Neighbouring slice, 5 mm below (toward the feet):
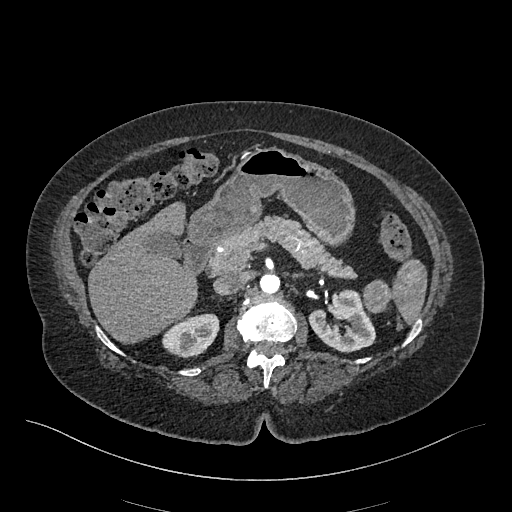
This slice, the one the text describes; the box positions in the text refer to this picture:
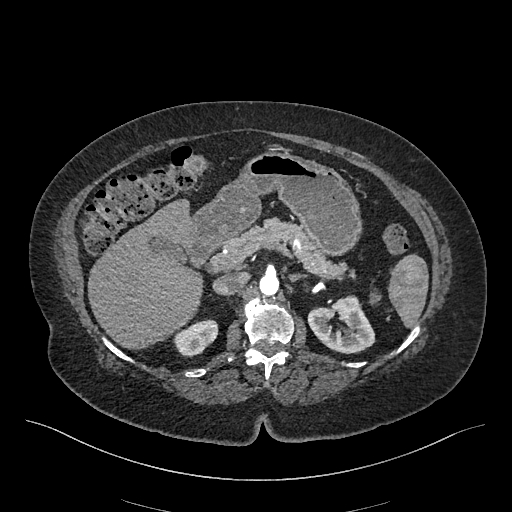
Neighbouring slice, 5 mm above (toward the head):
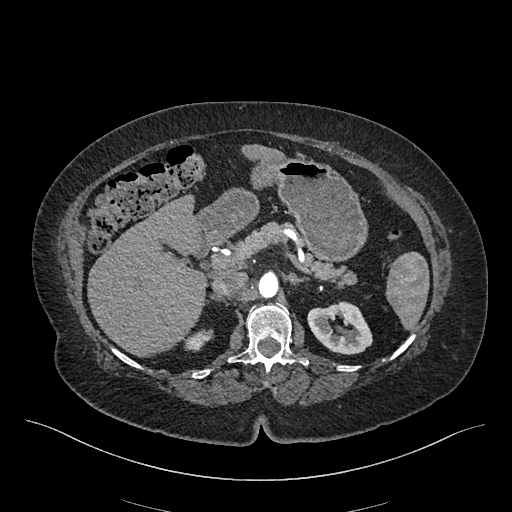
Axial slice 306 of 548 of a contrast-enhanced abdominal CT in the arterial phase (slice 1 is the lowest), 120 kVp, kernel I26f; 1.00 mm slice thickness and 0.852 mm pixels.
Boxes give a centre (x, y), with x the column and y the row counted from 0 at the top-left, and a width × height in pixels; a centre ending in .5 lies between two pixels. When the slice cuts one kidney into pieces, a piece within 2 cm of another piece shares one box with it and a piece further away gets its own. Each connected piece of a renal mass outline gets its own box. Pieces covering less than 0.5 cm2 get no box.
Two kidney boxes and one renal mass box on this slice; by box centre, from the image's left to its right: (1) Box centre (195.5, 338), 46 × 39 pixels: right kidney (outlined area 1,185 px, about 8.6 cm2). (2) Left kidney in a box with centre (341, 324), 69 × 59 pixels (outlined area 2,681 px, about 19.4 cm2). (3) Left renal mass in a box with centre (374.5, 297), 10 × 15 pixels (outlined area 103 px, about 0.7 cm2). This slice is near the end of the left renal mass toward the head, so the slices 5 mm below and 5 mm above it are shown as well; the boxes refer to this slice only.